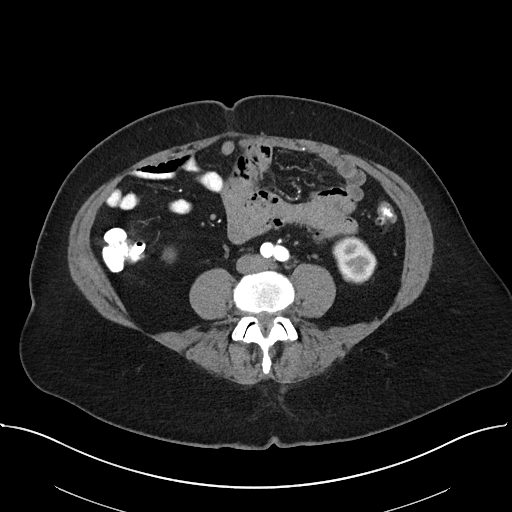
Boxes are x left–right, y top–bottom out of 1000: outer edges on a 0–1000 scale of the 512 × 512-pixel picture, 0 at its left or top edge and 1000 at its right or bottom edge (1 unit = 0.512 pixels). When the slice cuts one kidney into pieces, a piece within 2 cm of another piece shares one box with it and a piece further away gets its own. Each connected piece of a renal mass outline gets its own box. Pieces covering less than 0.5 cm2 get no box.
This is axial slice 6 of 38 (slice 1 is the lowest) of an arterial-phase abdominal CT with contrast; each pixel is 0.822 mm and the slice is 5.00 mm thick. Two kidney boxes on this slice; by box centre, from the image's left to its right: (1) Right kidney at x 318–344, y 484–514 out of 1000 (outlined area 127 px, about 0.9 cm2). (2) Box x 648–736, y 459–555 out of 1000: left kidney (outlined area 1,570 px, about 10.6 cm2). This slice carries no renal mass outline.
Tube voltage 100 kVp; convolution kernel I40f.